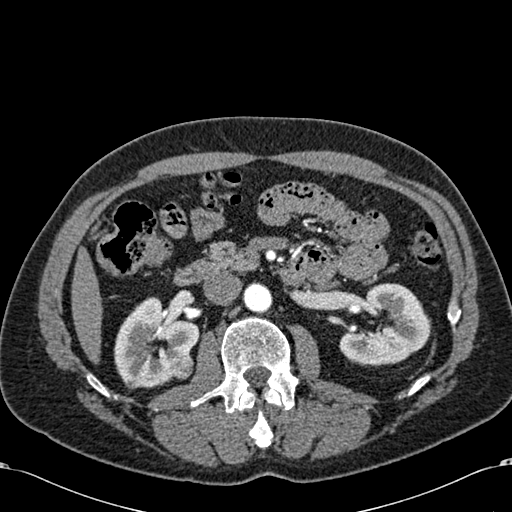
One axial slice (353 of 581, counting up from the lowest) of an arterial-phase abdominal CT acquired with 120 kVp, kernel B30f; each pixel is 0.713 mm and the slice is 1.00 mm thick.
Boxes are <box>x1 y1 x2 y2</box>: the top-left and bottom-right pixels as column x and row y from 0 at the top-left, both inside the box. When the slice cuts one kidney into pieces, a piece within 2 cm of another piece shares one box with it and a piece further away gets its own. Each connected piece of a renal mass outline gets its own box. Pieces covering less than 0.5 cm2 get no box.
Boxed on this slice (two kidney boxes and one renal mass box), listed by box centre from the image's left to its right: (1) Right kidney at <box>114 297 199 388</box> (outlined area 5,134 px, about 26.1 cm2). (2) At <box>170 350 193 379</box>: right renal mass (outlined area 563 px, about 2.9 cm2). (3) At <box>339 283 431 366</box>: left kidney (outlined area 5,055 px, about 25.7 cm2).